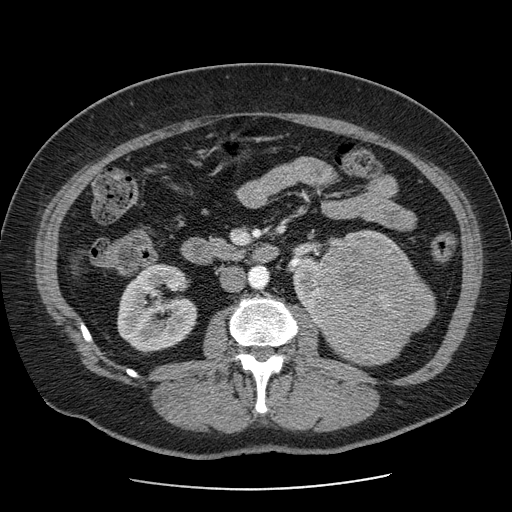
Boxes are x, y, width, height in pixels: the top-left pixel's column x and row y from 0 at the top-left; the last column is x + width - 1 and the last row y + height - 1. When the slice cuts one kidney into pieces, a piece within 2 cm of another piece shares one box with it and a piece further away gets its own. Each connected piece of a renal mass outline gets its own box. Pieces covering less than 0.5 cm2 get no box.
This is axial slice 38 of 103 (slice 1 is the lowest) of an abdominal CT with contrast; each pixel is 0.736 mm and the slice is 2.50 mm thick. Three boxes on this slice (two kidney boxes and one renal mass box), listed by box centre from the image's left to its right. (1) Box x 116, y 263, width 82, height 91: right kidney (outlined area 5,302 px, about 28.7 cm2). (2) Left kidney at x 293, y 230, width 120, height 92 (outlined area 2,331 px, about 12.6 cm2). (3) Left renal mass, box x 314, y 247, width 123, height 120 (outlined area 10,934 px, about 59.3 cm2).
Scan settings: 120 kVp, STANDARD reconstruction kernel.